Contrast-enhanced abdominal CT, axial slice 424 of 787 (counted from the lowest slice); tube voltage 140 kVp, convolution kernel I30f; slices 1.00 mm thick, 0.910 mm per pixel.
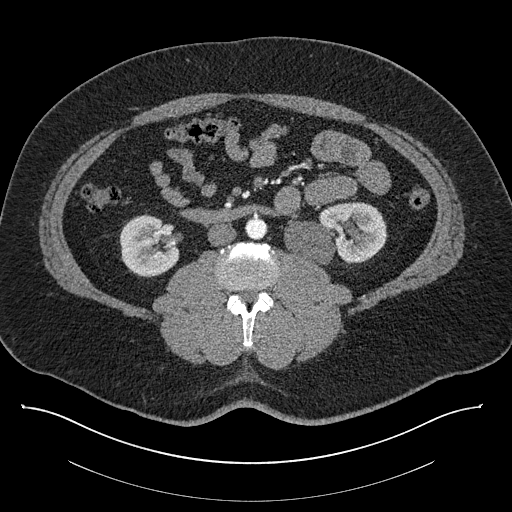
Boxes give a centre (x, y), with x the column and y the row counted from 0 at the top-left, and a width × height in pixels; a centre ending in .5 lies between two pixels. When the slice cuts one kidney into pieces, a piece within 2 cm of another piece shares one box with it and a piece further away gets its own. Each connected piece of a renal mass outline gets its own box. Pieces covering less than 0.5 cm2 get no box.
Two boxes on this slice (two kidney boxes), listed by box centre from the image's left to its right. (1) Right kidney, box centre (149, 245.5), 61 × 64 pixels (outlined area 2,913 px, about 24.1 cm2). (2) Box centre (335.5, 233), 104 × 63 pixels: left kidney (outlined area 4,793 px, about 39.7 cm2). This slice carries no renal mass outline.